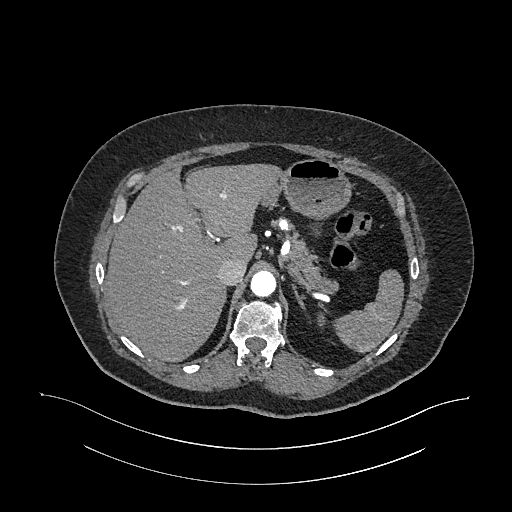
Abdominal CT with intravenous contrast, arterial phase, axial plane, 120 kVp, kernel I26f. Slice 802/987 from the bottom of the scan; thickness 1.00 mm; pixel size 0.977 mm.
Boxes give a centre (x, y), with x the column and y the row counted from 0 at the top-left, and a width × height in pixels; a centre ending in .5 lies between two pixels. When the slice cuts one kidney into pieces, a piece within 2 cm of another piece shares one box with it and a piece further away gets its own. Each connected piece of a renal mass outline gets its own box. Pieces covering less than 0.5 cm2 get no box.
Box centre (321, 321), 7 × 11 pixels: left kidney (outlined area 66 px, about 0.6 cm2). This slice carries no renal mass outline.